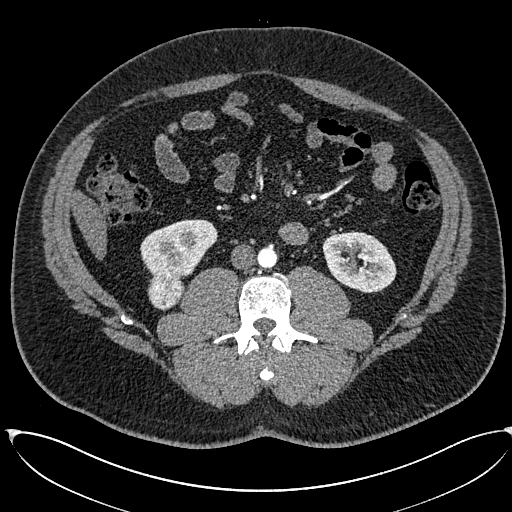
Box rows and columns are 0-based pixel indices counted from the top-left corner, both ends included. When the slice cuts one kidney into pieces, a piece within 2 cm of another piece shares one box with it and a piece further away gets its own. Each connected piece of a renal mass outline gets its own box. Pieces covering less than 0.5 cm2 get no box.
Arterial-phase contrast-enhanced abdominal CT, axial slice 272 of 673 (counted from the lowest slice); 1.00 mm thick, 0.855 mm per pixel. Three boxes on this slice (two kidney boxes and one renal mass box), listed by box centre from the image's left to its right. (1) Right renal mass, box rows 272–311, columns 147–183 (outlined area 1,105 px, about 8.1 cm2). (2) Right kidney, box rows 219–278, columns 140–217 (outlined area 3,232 px, about 23.7 cm2). (3) Box rows 232–292, columns 322–396: left kidney (outlined area 3,399 px, about 24.9 cm2).
Tube voltage 120 kVp; convolution kernel I30f.